One axial slice (37 of 50, counting up from the lowest) of an arterial-phase abdominal CT acquired with 100 kVp, kernel I41f; each pixel is 0.758 mm and the slice is 3.00 mm thick.
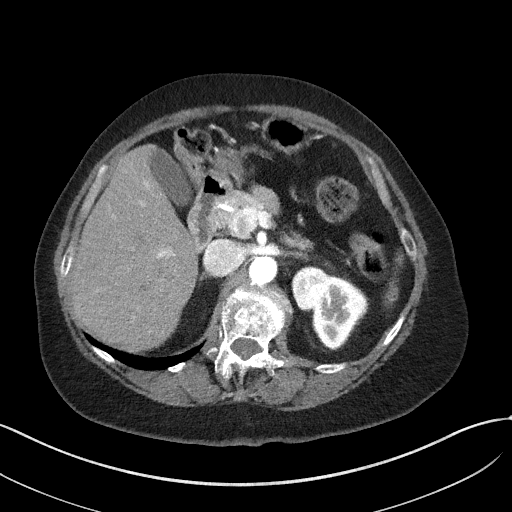
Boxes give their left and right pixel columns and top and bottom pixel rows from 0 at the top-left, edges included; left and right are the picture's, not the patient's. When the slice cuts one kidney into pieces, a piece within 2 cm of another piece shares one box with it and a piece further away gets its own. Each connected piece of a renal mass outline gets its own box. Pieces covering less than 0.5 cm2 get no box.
One kidney box and one renal mass box on this slice; by box centre, from the image's left to its right: (1) Left renal mass, the box with left 291, top 266, right 330, bottom 310 (outlined area 1,369 px, about 7.9 cm2). (2) Left kidney, the box with left 310, top 274, right 368, bottom 350 (outlined area 2,734 px, about 15.7 cm2).